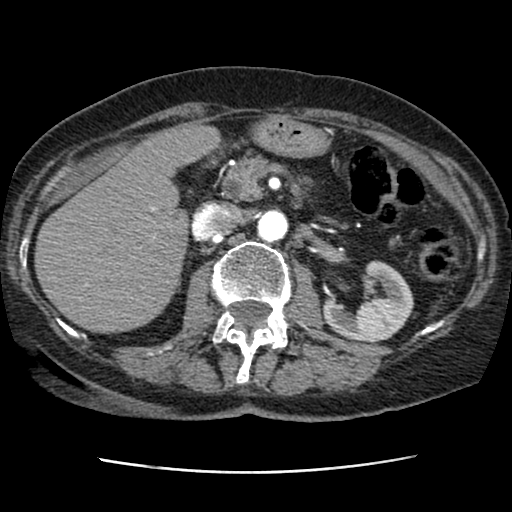
Axial slice 50 of 76 of a contrast-enhanced abdominal CT (slice 1 is the lowest), 120 kVp, kernel STANDARD; 2.50 mm slice thickness and 0.586 mm pixels.
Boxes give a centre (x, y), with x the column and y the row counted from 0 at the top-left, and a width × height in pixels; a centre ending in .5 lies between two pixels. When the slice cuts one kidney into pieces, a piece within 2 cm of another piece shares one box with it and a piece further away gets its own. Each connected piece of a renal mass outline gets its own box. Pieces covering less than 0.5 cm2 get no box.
Left kidney in a box with centre (367.5, 301), 92 × 83 pixels (outlined area 4,524 px, about 15.5 cm2). No renal mass outline on this slice.